Axial slice 467 of 719 of a contrast-enhanced abdominal CT in the arterial phase (slice 1 is the lowest), 120 kVp, kernel B20f; 1.00 mm slice thickness and 0.766 mm pixels.
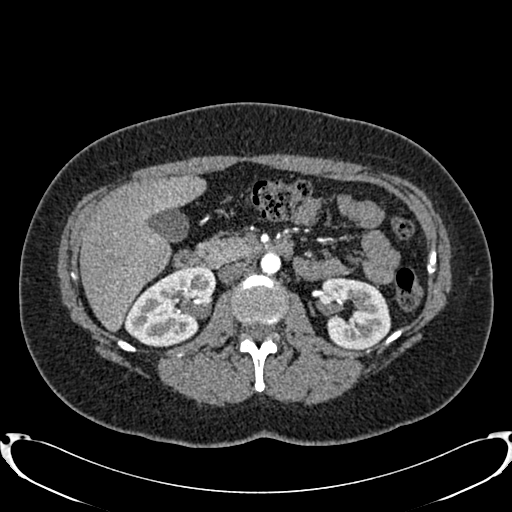
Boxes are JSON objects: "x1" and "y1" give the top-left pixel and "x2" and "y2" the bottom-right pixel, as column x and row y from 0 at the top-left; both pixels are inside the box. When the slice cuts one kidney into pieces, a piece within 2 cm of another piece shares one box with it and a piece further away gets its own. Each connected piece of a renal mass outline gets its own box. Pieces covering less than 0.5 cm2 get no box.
Two boxes on this slice (two kidney boxes), listed by box centre from the image's left to its right. (1) Right kidney, box {"x1": 124, "y1": 266, "x2": 214, "y2": 347} (outlined area 5,127 px, about 30.1 cm2). (2) Left kidney at {"x1": 321, "y1": 277, "x2": 391, "y2": 350} (outlined area 3,911 px, about 22.9 cm2). No renal mass outline on this slice.